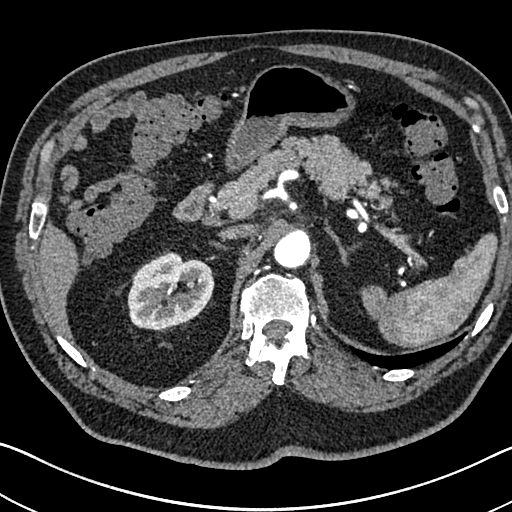
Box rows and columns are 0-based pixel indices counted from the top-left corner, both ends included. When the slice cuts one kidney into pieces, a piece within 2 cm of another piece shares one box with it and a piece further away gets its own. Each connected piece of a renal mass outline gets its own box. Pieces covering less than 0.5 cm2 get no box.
This is axial slice 507 of 705 (slice 1 is the lowest) of an arterial-phase abdominal CT with contrast; each pixel is 0.703 mm and the slice is 1.00 mm thick. Box rows 250–330, columns 127–214: right kidney (outlined area 5,127 px, about 25.3 cm2). No renal mass is outlined on this slice.
Tube voltage 120 kVp; convolution kernel I30f.